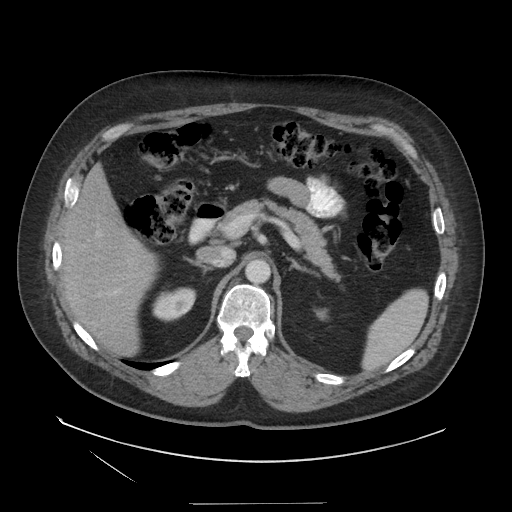
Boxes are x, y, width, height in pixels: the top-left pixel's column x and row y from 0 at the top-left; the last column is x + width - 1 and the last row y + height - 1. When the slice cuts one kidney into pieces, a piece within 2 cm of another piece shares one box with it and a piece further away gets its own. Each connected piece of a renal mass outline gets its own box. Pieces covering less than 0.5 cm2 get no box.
This is axial slice 95 of 129 (slice 1 is the lowest) of an arterial-phase abdominal CT with contrast; each pixel is 0.938 mm and the slice is 3.75 mm thick. Boxed on this slice (two kidney boxes), listed by box centre from the image's left to its right: (1) Box x 152, y 287, width 45, height 35: right kidney (outlined area 1,153 px, about 10.1 cm2). (2) Box x 314, y 308, width 15, height 13: left kidney (outlined area 135 px, about 1.2 cm2). No renal mass is outlined on this slice.
Acquired at 140 kVp and reconstructed with the STANDARD kernel.